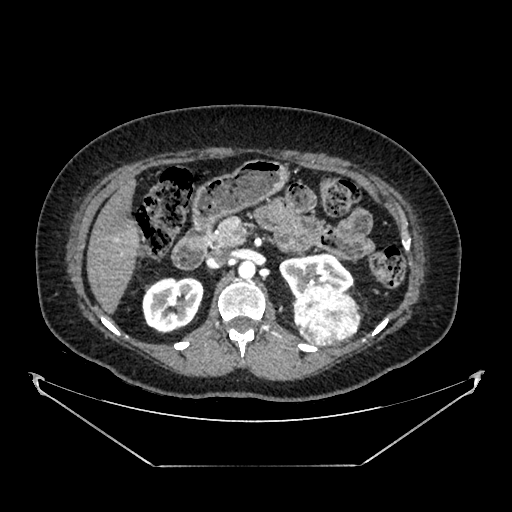
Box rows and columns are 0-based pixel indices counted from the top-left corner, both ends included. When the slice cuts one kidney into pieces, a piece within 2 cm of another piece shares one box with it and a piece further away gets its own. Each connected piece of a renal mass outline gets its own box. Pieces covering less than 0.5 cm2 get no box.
Arterial-phase contrast-enhanced abdominal CT, axial slice 247 of 383 (counted from the lowest slice); 1.25 mm thick, 0.898 mm per pixel. Three boxes on this slice (two kidney boxes and one renal mass box), listed by box centre from the image's left to its right. (1) Box rows 277–333, columns 142–204: right kidney (outlined area 2,742 px, about 22.1 cm2). (2) Box rows 253–298, columns 279–353: left kidney (outlined area 2,165 px, about 17.5 cm2). (3) Left renal mass at rows 285–346, columns 293–361 (outlined area 3,322 px, about 26.8 cm2).
Acquired at 100 kVp and reconstructed with the SOFT kernel.